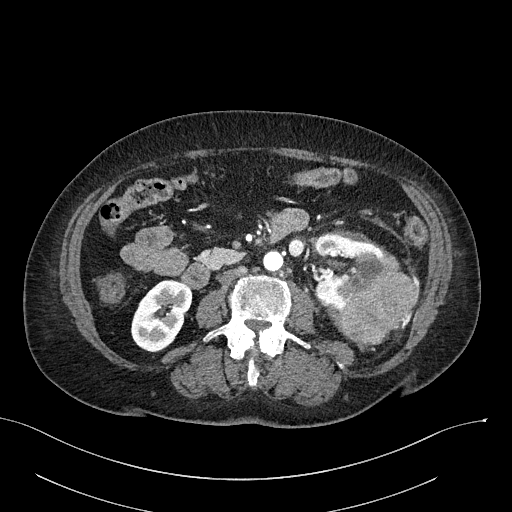
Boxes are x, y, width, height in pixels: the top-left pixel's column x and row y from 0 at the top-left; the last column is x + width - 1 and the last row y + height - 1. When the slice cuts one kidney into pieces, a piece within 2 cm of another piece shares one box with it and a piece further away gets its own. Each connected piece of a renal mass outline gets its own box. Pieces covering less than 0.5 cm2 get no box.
Arterial-phase contrast-enhanced abdominal CT, axial slice 109 of 316 (counted from the lowest slice); 2.00 mm thick, 0.840 mm per pixel. Three boxes on this slice (two kidney boxes and one renal mass box), listed by box centre from the image's left to its right. (1) Box x 131, y 279, width 60, height 74: right kidney (outlined area 3,144 px, about 22.2 cm2). (2) Box x 315, y 234, width 69, height 78: left kidney (outlined area 3,691 px, about 26.0 cm2). (3) Left renal mass at x 340, y 251, width 79, height 94 (outlined area 4,131 px, about 29.1 cm2).
Scan settings: 100 kVp, I40f reconstruction kernel.